One axial slice (71 of 98, counting up from the lowest) of an arterial-phase abdominal CT acquired with 120 kVp, kernel B; each pixel is 0.703 mm and the slice is 5.00 mm thick.
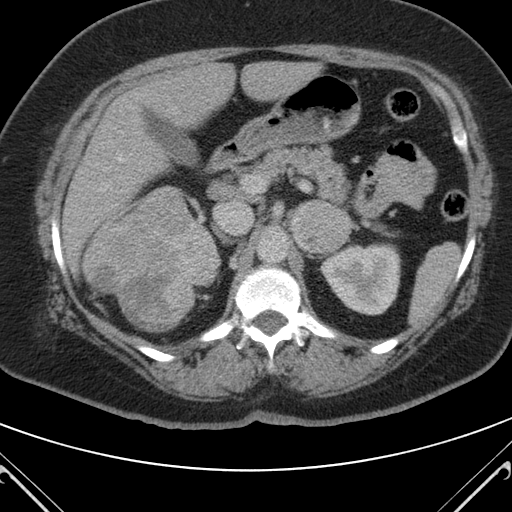
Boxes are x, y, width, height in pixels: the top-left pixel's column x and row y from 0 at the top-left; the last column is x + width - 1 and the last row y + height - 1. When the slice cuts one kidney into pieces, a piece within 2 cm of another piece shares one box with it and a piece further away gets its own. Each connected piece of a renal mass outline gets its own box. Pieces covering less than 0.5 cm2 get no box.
Boxed on this slice (one kidney box and one renal mass box), listed by box centre from the image's left to its right: (1) Box x 81, y 185, width 141, height 148: right renal mass (outlined area 13,457 px, about 66.5 cm2); on this slice it lies more than 1 cm from any kidney outline, but the same outlined renal mass comes within 1 cm of the kidney on another slice. (2) Left kidney, box x 319, y 242, width 83, height 74 (outlined area 4,499 px, about 22.2 cm2).